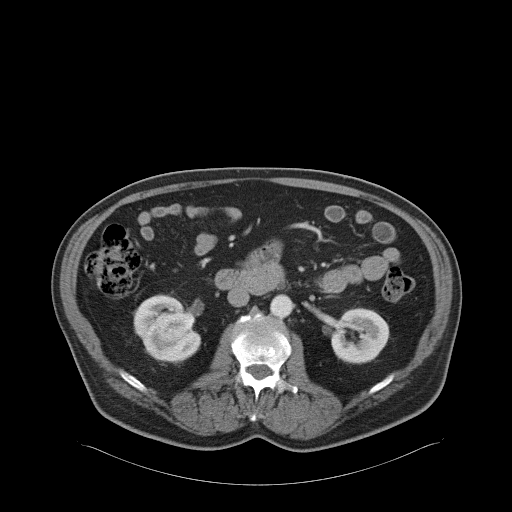
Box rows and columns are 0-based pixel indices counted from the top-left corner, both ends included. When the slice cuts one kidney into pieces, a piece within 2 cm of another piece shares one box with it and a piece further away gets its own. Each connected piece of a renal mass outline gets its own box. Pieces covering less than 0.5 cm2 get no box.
Slice 30/68 of a contrast-enhanced abdominal CT in the arterial phase, counting up from the lowest; pixel size 0.961 mm, slice thickness 5.00 mm. Two kidney boxes and one renal mass box on this slice; by box centre, from the image's left to its right: (1) Box rows 294–362, columns 133–201: right kidney (outlined area 2,375 px, about 21.9 cm2). (2) Box rows 305–342, columns 148–199: right renal mass (outlined area 1,187 px, about 11.0 cm2). (3) Left kidney, box rows 307–364, columns 330–389 (outlined area 2,545 px, about 23.5 cm2).
Acquired at 120 kVp and reconstructed with the B31f kernel.